One axial slice (60 of 69, counting up from the lowest) of an arterial-phase abdominal CT acquired with 120 kVp, kernel I40f; each pixel is 0.664 mm and the slice is 3.00 mm thick.
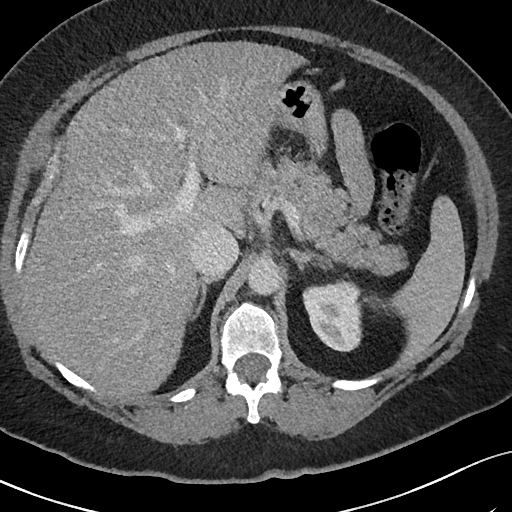
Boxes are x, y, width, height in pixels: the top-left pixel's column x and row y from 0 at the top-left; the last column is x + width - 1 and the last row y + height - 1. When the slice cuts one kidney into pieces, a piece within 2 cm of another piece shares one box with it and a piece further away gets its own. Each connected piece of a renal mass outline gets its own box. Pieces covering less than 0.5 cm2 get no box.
Left kidney at x 302, y 279, width 61, height 73 (outlined area 3,379 px, about 14.9 cm2). No renal mass is outlined on this slice.